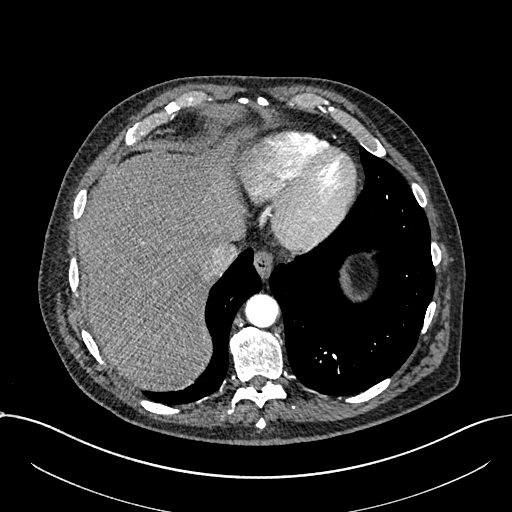
Arterial-phase contrast-enhanced abdominal CT, axial slice 610 of 1059 (counted from the lowest slice); tube voltage 100 kVp, convolution kernel I30f; slices 1.00 mm thick, 0.811 mm per pixel.
Neither a kidney nor a renal mass is outlined here. Only kidneys and renal masses are outlined anywhere in this scan; other structures are never outlined.